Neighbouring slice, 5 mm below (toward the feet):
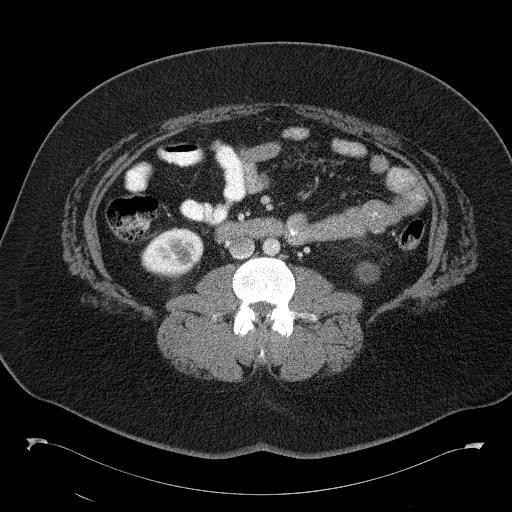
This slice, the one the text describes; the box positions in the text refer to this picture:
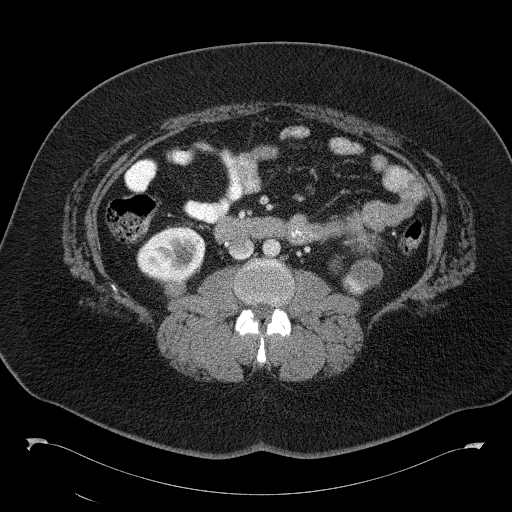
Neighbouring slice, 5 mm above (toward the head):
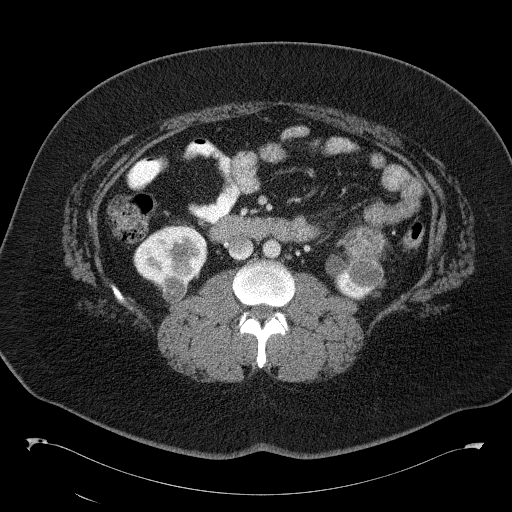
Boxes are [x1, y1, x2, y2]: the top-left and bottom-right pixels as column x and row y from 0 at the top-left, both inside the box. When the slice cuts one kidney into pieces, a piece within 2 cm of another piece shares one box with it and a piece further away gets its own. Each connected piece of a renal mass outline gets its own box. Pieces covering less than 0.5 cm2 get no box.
Slice 69/146 of a contrast-enhanced abdominal CT, counting up from the lowest; pixel size 0.840 mm, slice thickness 5.00 mm. Four boxes on this slice (two kidney boxes and two renal mass boxes), listed by box centre from the image's left to its right. (1) Kidney at [136, 227, 205, 282] (outlined area 2,897 px, about 20.4 cm2). (2) Renal mass at [164, 278, 186, 301] (outlined area 438 px, about 3.1 cm2). (3) Kidney at [330, 256, 382, 295] (outlined area 1,147 px, about 8.1 cm2). (4) Renal mass, box [347, 229, 377, 249] (outlined area 518 px, about 3.7 cm2). This slice lies near the end of a renal mass toward the feet; the slices 5 mm below and 5 mm above it are shown too, and the boxes mark positions on this slice only.
Tube voltage 120 kVp; convolution kernel B41f.